Contrast-enhanced abdominal CT, axial slice 143 of 314 (counted from the lowest slice); tube voltage 130 kVp, convolution kernel B31s; slices 2.50 mm thick, 0.934 mm per pixel.
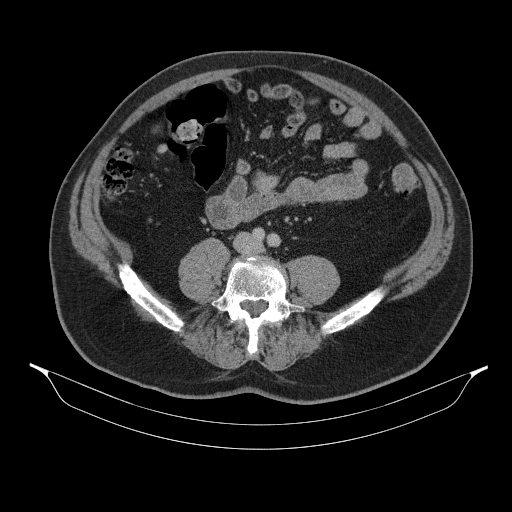
Neither a kidney nor a renal mass is outlined here. Only kidneys and renal masses are outlined anywhere in this scan; other structures are never outlined.